One axial slice (360 of 673, counting up from the lowest) of an arterial-phase abdominal CT acquired with 120 kVp, kernel I30f; each pixel is 0.855 mm and the slice is 1.00 mm thick.
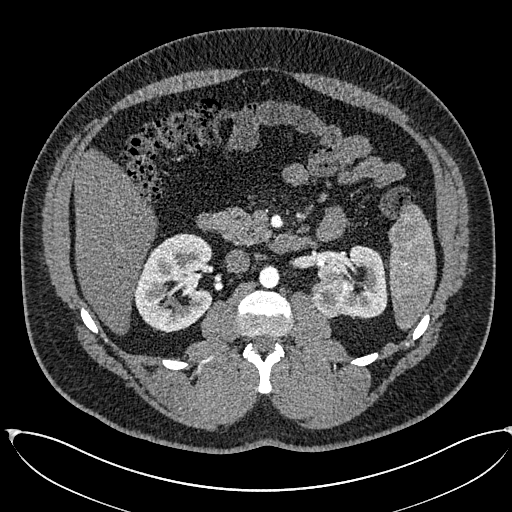
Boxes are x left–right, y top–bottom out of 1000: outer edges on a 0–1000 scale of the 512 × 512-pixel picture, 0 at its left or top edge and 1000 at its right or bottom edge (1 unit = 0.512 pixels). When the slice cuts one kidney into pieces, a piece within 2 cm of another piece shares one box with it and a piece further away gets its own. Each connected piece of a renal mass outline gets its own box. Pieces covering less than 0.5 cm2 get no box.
Three boxes on this slice (two kidney boxes and one renal mass box), listed by box centre from the image's left to its right. (1) Box x 260–418, y 455–650 out of 1000: right kidney (outlined area 5,843 px, about 42.8 cm2). (2) Left renal mass, box x 607–689, y 545–623 out of 1000 (outlined area 1,313 px, about 9.6 cm2). (3) Left kidney, box x 619–758, y 477–621 out of 1000 (outlined area 2,978 px, about 21.8 cm2).